One axial slice (232 of 602, counting up from the lowest) of an arterial-phase abdominal CT acquired with 120 kVp, kernel I30f; each pixel is 0.799 mm and the slice is 1.00 mm thick.
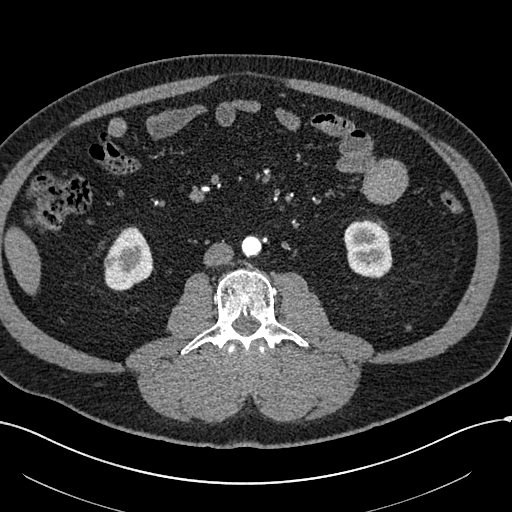
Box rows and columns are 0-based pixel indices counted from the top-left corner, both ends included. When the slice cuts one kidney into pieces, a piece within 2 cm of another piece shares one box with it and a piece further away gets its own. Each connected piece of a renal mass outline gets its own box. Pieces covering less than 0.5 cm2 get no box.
Boxed on this slice (two kidney boxes and one renal mass box), listed by box centre from the image's left to its right: (1) Box rows 253–269, columns 104–119: right renal mass (outlined area 212 px, about 1.4 cm2). (2) Right kidney, box rows 226–291, columns 104–153 (outlined area 2,149 px, about 13.7 cm2). (3) Left kidney, box rows 219–278, columns 343–392 (outlined area 2,353 px, about 15.0 cm2).